Abdominal CT with intravenous contrast, arterial phase, axial plane, 120 kVp, kernel B20f. Slice 408/553 from the bottom of the scan; thickness 1.00 mm; pixel size 0.773 mm.
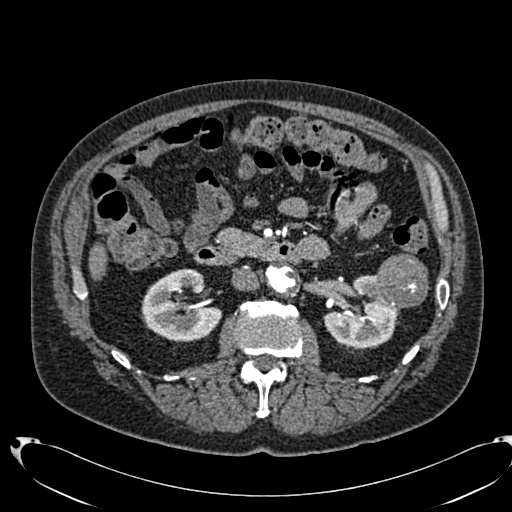
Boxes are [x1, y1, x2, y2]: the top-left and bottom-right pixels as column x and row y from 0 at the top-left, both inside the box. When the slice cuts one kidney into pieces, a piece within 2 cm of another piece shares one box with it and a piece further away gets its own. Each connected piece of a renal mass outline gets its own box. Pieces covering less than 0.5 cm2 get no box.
Three boxes on this slice (two kidney boxes and one renal mass box), listed by box centre from the image's left to its right. (1) Right kidney, box [141, 269, 221, 341] (outlined area 4,077 px, about 24.4 cm2). (2) Box [323, 275, 399, 348]: left kidney (outlined area 3,452 px, about 20.7 cm2). (3) Left renal mass at [371, 253, 428, 308] (outlined area 2,432 px, about 14.5 cm2).